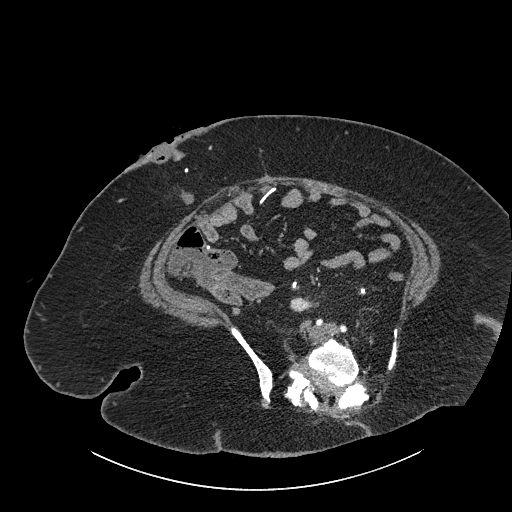
Contrast-enhanced abdominal CT, axial slice 380 of 834 (counted from the lowest slice); tube voltage 140 kVp, convolution kernel I30f; slices 1.00 mm thick, 0.977 mm per pixel.
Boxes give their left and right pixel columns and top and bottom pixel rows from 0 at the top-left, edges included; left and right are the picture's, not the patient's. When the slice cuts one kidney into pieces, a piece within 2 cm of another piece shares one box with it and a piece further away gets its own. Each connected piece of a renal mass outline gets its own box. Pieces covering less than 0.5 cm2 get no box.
Box with left 290, top 297, right 318, bottom 312: right part of the midline-crossing kidney (outlined area 322 px, about 3.1 cm2). No renal mass outline on this slice.